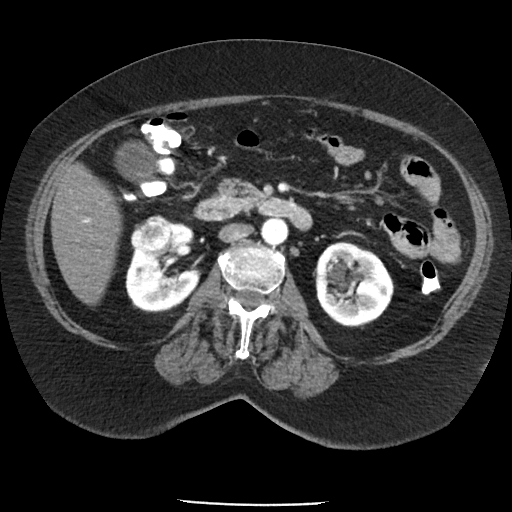
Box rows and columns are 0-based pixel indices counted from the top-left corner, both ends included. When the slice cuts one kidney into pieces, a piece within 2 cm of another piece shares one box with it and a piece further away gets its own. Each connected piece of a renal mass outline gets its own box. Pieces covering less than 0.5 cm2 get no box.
Slice 54/85 of a contrast-enhanced abdominal CT in the arterial phase, counting up from the lowest; pixel size 0.741 mm, slice thickness 5.00 mm. Two kidney boxes and one renal mass box on this slice; by box centre, from the image's left to its right: (1) Box rows 215–256, columns 131–172: right renal mass (outlined area 1,354 px, about 7.4 cm2). (2) Right kidney at rows 219–312, columns 125–201 (outlined area 4,140 px, about 22.7 cm2). (3) Left kidney, box rows 241–327, columns 313–393 (outlined area 5,197 px, about 28.5 cm2).
Scan settings: 120 kVp, FC19 reconstruction kernel.